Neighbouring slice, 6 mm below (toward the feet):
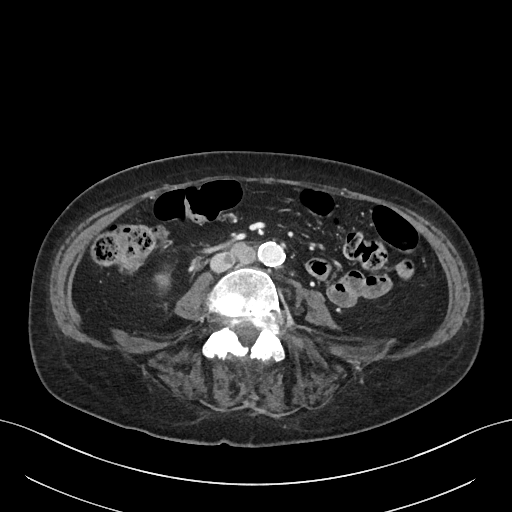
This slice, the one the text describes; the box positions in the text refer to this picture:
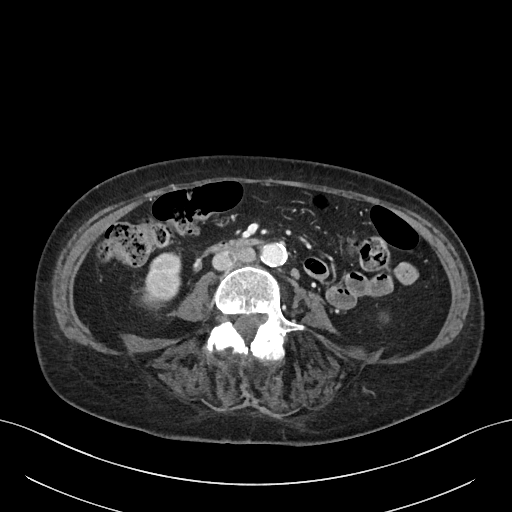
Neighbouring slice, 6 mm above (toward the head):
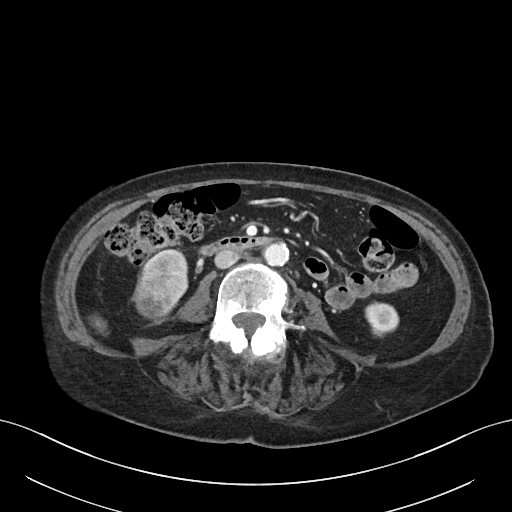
One axial slice (18 of 76, counting up from the lowest) of a contrast-enhanced abdominal CT acquired with 100 kVp, kernel I40f; each pixel is 0.768 mm and the slice is 3.00 mm thick.
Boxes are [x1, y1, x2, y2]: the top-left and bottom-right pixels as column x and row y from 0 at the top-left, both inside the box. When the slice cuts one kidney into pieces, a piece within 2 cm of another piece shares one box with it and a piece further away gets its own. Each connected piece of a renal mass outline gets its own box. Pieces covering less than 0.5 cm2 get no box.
One kidney box and one renal mass box on this slice; by box centre, from the image's left to its right: (1) Box [140, 285, 164, 310]: right renal mass (outlined area 475 px, about 2.8 cm2). (2) Right kidney at [143, 252, 181, 302] (outlined area 1,244 px, about 7.3 cm2). This slice is near the end of the right renal mass toward the feet, so the slices 6 mm below and 6 mm above it are shown as well; the boxes refer to this slice only.